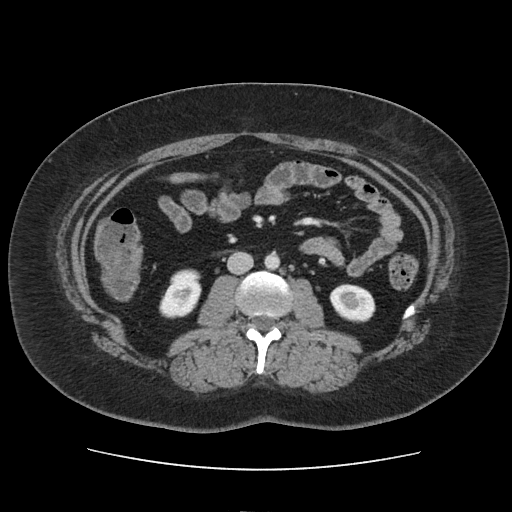
Axial slice 60 of 103 of a contrast-enhanced abdominal CT in the arterial phase (slice 1 is the lowest), 120 kVp, kernel FC19; 5.00 mm slice thickness and 0.873 mm pixels.
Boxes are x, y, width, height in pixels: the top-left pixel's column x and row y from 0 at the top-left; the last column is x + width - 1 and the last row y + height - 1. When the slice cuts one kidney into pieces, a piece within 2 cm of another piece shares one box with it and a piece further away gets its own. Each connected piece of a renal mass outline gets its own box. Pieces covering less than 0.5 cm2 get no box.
Two kidney boxes on this slice; by box centre, from the image's left to its right: (1) Right kidney at x 159, y 268, width 43, height 51 (outlined area 1,581 px, about 12.0 cm2). (2) Box x 329, y 284, width 47, height 38: left kidney (outlined area 1,377 px, about 10.5 cm2). No renal mass is outlined on this slice.